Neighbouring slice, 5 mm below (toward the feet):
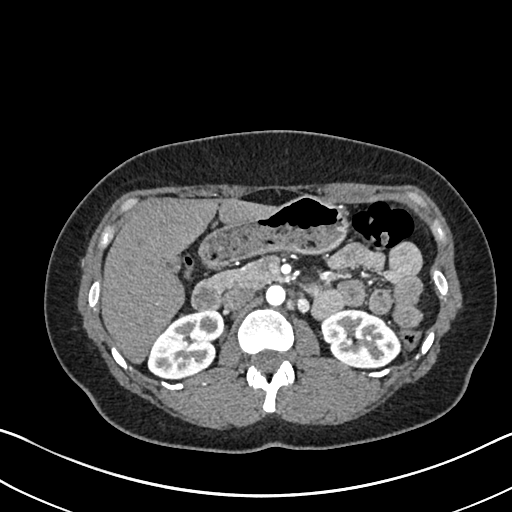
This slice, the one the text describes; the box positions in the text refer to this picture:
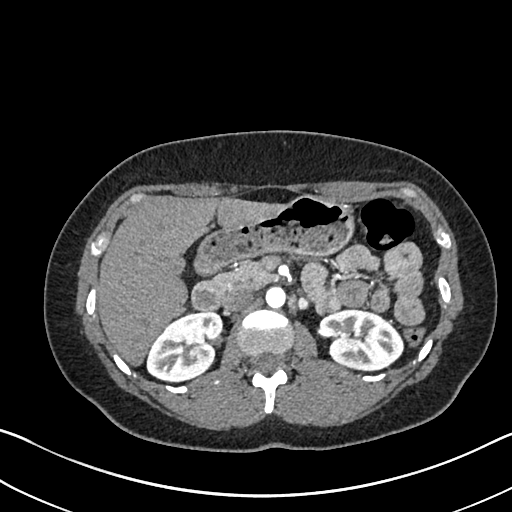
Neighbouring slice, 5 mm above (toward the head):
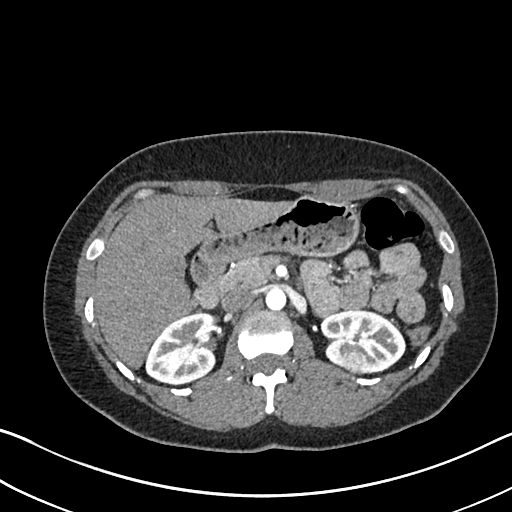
One axial slice (432 of 612, counting up from the lowest) of an arterial-phase abdominal CT acquired with 120 kVp, kernel I30f; each pixel is 0.703 mm and the slice is 1.00 mm thick.
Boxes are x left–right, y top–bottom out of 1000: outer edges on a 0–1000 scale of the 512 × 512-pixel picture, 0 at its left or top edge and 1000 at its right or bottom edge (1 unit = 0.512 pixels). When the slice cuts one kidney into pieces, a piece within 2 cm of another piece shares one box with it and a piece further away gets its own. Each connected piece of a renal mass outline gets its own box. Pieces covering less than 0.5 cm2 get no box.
Three boxes on this slice (two kidney boxes and one renal mass box), listed by box centre from the image's left to its right. (1) Right kidney, box x 285–438, y 607–748 out of 1000 (outlined area 4,002 px, about 19.8 cm2). (2) Left renal mass at x 682–709, y 693–713 out of 1000 (outlined area 121 px, about 0.6 cm2). (3) Left kidney at x 623–791, y 602–727 out of 1000 (outlined area 3,869 px, about 19.1 cm2). This slice lies near the end of the left renal mass toward the feet; the slices 5 mm below and 5 mm above it are shown too, and the boxes mark positions on this slice only.